Abdominal CT with intravenous contrast, axial plane, 140 kVp, kernel I44f. Slice 13/86 from the bottom of the scan; thickness 3.00 mm; pixel size 0.977 mm.
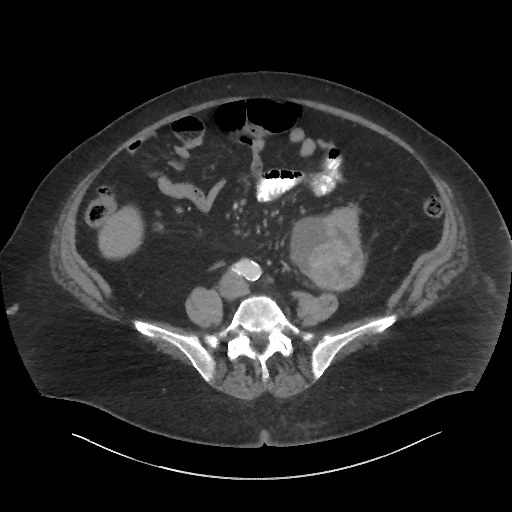
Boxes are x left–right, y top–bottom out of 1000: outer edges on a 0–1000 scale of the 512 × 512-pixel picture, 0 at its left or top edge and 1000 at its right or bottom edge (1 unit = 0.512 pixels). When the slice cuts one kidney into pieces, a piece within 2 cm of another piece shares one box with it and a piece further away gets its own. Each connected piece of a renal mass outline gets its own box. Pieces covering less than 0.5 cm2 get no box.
Boxed on this slice (one kidney box and one renal mass box), listed by box centre from the image's left to its right: (1) Left renal mass at x 564–695, y 422–561 out of 1000 (outlined area 3,615 px, about 34.5 cm2). (2) Box x 633–719, y 404–563 out of 1000: left kidney (outlined area 1,198 px, about 11.4 cm2).